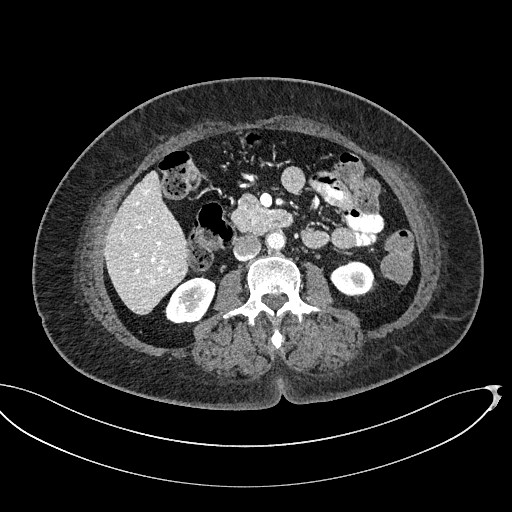
One axial slice (273 of 439, counting up from the lowest) of a contrast-enhanced abdominal CT acquired with 100 kVp, kernel I40f; each pixel is 0.850 mm and the slice is 2.00 mm thick.
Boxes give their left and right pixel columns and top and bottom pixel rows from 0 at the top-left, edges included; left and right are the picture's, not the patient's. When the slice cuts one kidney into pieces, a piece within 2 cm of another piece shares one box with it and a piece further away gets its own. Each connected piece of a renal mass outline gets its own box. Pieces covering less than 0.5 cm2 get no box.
Two boxes on this slice (two kidney boxes), listed by box centre from the image's left to its right. (1) Right kidney, the box with left 164, top 276, right 215, bottom 323 (outlined area 1,767 px, about 12.8 cm2). (2) Left kidney, the box with left 330, top 261, right 376, bottom 298 (outlined area 1,259 px, about 9.1 cm2). No renal mass is outlined on this slice.